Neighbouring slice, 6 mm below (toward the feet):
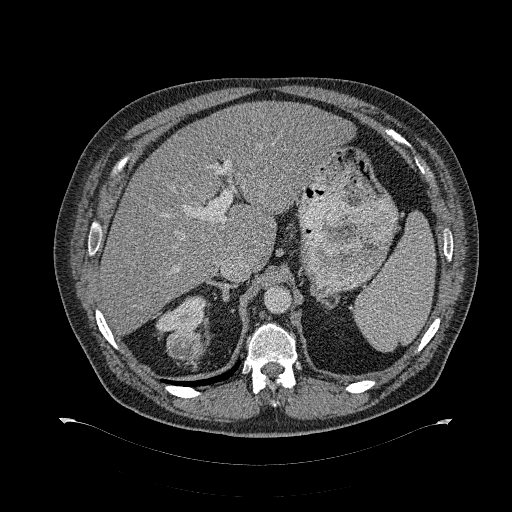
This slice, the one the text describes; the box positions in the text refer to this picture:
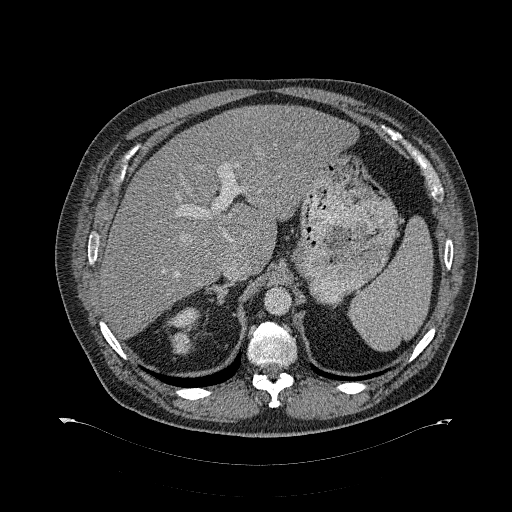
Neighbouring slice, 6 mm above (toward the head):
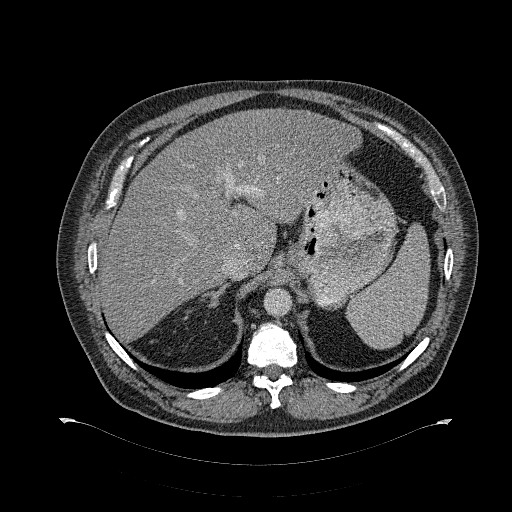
Abdominal CT with intravenous contrast, axial plane, 120 kVp, kernel B31f. Slice 226/274 from the bottom of the scan; thickness 2.00 mm; pixel size 0.977 mm.
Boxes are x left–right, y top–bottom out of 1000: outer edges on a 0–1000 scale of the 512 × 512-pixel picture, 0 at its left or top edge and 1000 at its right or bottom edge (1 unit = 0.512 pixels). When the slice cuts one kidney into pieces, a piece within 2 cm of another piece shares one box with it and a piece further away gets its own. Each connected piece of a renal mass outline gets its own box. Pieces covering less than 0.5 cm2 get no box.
Boxed on this slice (one kidney box and one renal mass box), listed by box centre from the image's left to its right: (1) Right renal mass at x 332–381, y 646–693 out of 1000 (outlined area 409 px, about 3.9 cm2). (2) Box x 324–393, y 600–643 out of 1000: right kidney (outlined area 469 px, about 4.5 cm2). This slice lies near the end of the right renal mass toward the head; the slices 6 mm below and 6 mm above it are shown too, and the boxes mark positions on this slice only.